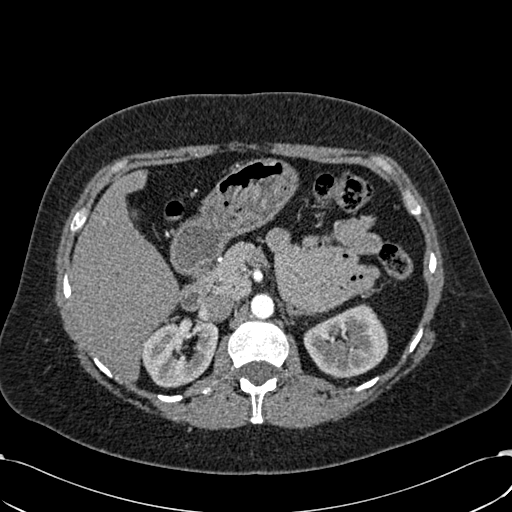
Axial slice 406 of 532 of a contrast-enhanced abdominal CT in the arterial phase (slice 1 is the lowest), 120 kVp, kernel B30f; 1.00 mm slice thickness and 0.713 mm pixels.
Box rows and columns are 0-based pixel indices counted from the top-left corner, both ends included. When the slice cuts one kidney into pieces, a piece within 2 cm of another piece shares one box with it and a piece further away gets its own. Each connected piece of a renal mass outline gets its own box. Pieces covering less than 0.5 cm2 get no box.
Boxed on this slice (two kidney boxes), listed by box centre from the image's left to its right: (1) Box rows 320–388, columns 141–218: right kidney (outlined area 3,903 px, about 19.8 cm2). (2) Left kidney, box rows 304–378, columns 303–388 (outlined area 4,466 px, about 22.7 cm2). This slice carries no renal mass outline.